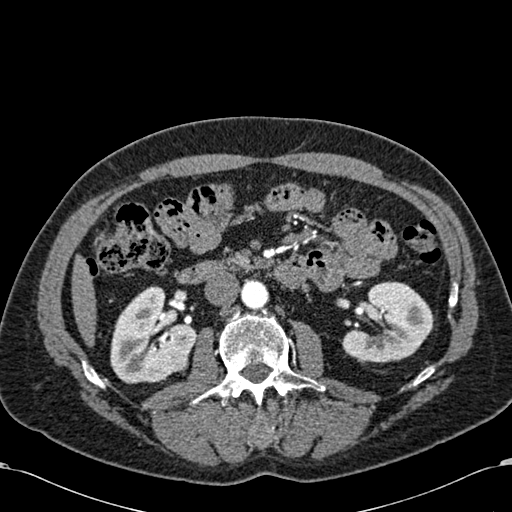
One axial slice (337 of 581, counting up from the lowest) of an arterial-phase abdominal CT acquired with 120 kVp, kernel B30f; each pixel is 0.713 mm and the slice is 1.00 mm thick.
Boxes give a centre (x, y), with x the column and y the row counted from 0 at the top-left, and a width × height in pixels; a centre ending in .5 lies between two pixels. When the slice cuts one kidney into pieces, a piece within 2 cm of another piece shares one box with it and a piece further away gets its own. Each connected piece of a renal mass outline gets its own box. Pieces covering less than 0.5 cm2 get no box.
Two kidney boxes and one renal mass box on this slice; by box centre, from the image's left to its right: (1) Right kidney, box centre (153, 334.5), 87 × 98 pixels (outlined area 5,695 px, about 28.9 cm2). (2) Right renal mass in a box with centre (177.5, 363.5), 24 × 22 pixels (outlined area 370 px, about 1.9 cm2). (3) Left kidney, box centre (388, 321.5), 93 × 82 pixels (outlined area 5,188 px, about 26.4 cm2).